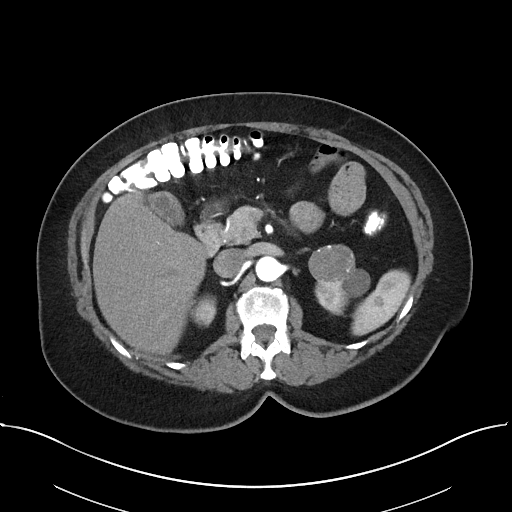
Axial slice 23 of 38 of a contrast-enhanced abdominal CT in the arterial phase (slice 1 is the lowest), 100 kVp, kernel I40f; 5.00 mm slice thickness and 0.822 mm pixels.
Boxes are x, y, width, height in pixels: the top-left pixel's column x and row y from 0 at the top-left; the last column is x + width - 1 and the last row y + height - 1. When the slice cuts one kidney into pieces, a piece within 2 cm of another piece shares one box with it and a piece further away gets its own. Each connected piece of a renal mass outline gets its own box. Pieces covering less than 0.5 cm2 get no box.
Boxed on this slice (two kidney boxes and one renal mass box), listed by box centre from the image's left to its right: (1) Right kidney, box x 191, y 295, width 26, height 32 (outlined area 636 px, about 4.3 cm2). (2) Box x 308, y 244, width 48, height 39: left renal mass (outlined area 1,438 px, about 9.7 cm2). (3) Box x 314, y 268, width 57, height 48: left kidney (outlined area 1,477 px, about 10.0 cm2).